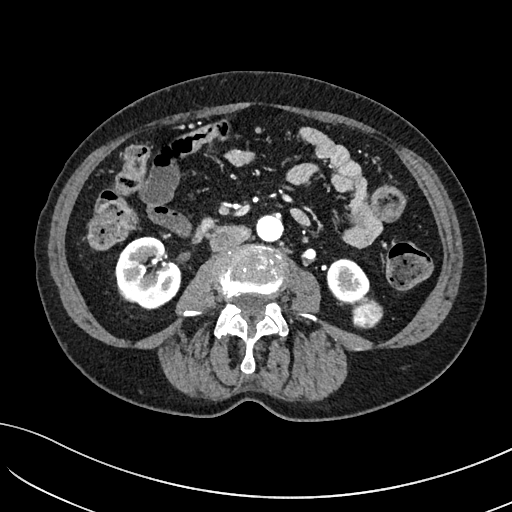
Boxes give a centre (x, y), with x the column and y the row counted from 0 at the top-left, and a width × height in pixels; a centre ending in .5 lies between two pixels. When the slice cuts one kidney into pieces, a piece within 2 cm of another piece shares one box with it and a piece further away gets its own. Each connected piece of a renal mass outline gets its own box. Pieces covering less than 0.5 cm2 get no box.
Arterial-phase contrast-enhanced abdominal CT, axial slice 30 of 234 (counted from the lowest slice); 2.00 mm thick, 0.699 mm per pixel. Three boxes on this slice (two kidney boxes and one renal mass box), listed by box centre from the image's left to its right. (1) Box centre (147, 272.5), 67 × 74 pixels: right kidney (outlined area 3,645 px, about 17.8 cm2). (2) Box centre (347.5, 281), 44 × 47 pixels: left kidney (outlined area 1,505 px, about 7.4 cm2). (3) Left renal mass in a box with centre (365, 312.5), 37 × 32 pixels (outlined area 806 px, about 3.9 cm2).
Tube voltage 100 kVp; convolution kernel I40f.